One axial slice (156 of 233, counting up from the lowest) of an arterial-phase abdominal CT acquired with 120 kVp, kernel STANDARD; each pixel is 0.703 mm and the slice is 1.25 mm thick.
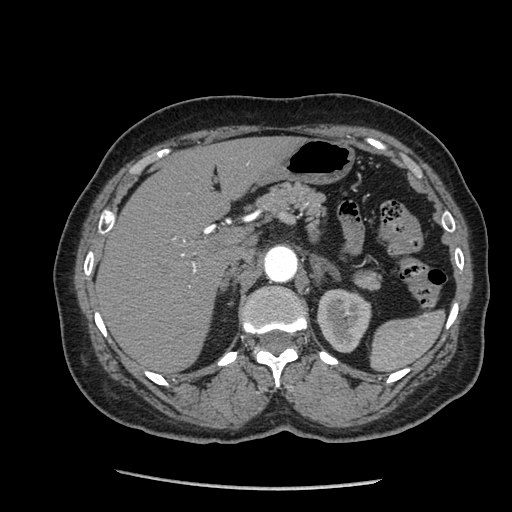
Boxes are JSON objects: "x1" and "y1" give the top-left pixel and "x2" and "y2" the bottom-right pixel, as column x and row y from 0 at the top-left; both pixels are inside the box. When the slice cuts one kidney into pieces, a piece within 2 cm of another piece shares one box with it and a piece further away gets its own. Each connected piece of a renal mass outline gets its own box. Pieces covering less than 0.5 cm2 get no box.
Left kidney at {"x1": 316, "y1": 289, "x2": 371, "y2": 352} (outlined area 2,685 px, about 13.3 cm2). This slice carries no renal mass outline.